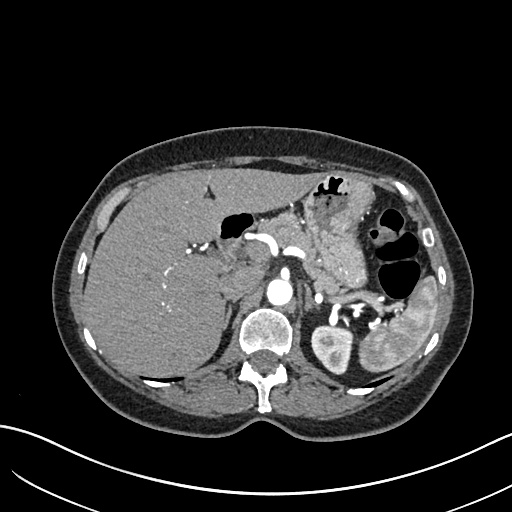
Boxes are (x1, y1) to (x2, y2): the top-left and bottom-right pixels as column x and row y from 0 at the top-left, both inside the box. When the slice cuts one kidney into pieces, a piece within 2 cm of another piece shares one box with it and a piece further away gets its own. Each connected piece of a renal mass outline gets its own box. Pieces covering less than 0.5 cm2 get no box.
Slice 462/683 of a contrast-enhanced abdominal CT in the arterial phase, counting up from the lowest; pixel size 0.738 mm, slice thickness 1.00 mm. Box (310, 326) to (353, 374): left kidney (outlined area 1,638 px, about 8.9 cm2). No renal mass outline on this slice.
Acquired at 120 kVp and reconstructed with the I30f kernel.